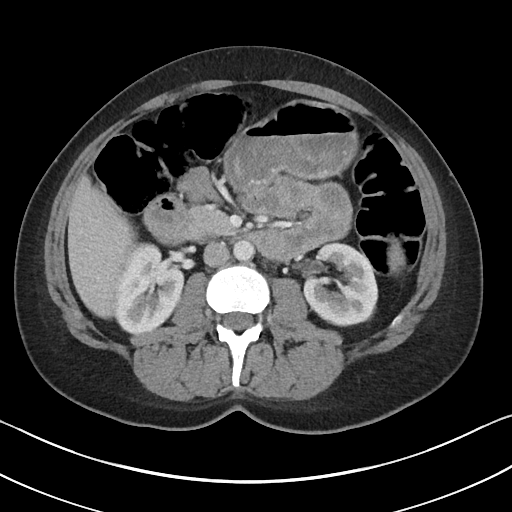
Axial slice 60 of 90 of a contrast-enhanced abdominal CT in the arterial phase (slice 1 is the lowest), 100 kVp, kernel I40f; 5.00 mm slice thickness and 0.703 mm pixels.
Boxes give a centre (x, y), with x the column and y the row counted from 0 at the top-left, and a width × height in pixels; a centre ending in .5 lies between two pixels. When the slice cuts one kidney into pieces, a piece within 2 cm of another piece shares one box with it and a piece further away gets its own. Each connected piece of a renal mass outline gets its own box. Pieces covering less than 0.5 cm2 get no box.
Two boxes on this slice (two kidney boxes), listed by box centre from the image's left to its right. (1) Right kidney, box centre (148.5, 288), 72 × 93 pixels (outlined area 4,856 px, about 24.0 cm2). (2) Left kidney in a box with centre (340.5, 284), 76 × 85 pixels (outlined area 4,716 px, about 23.3 cm2). No renal mass outline on this slice.